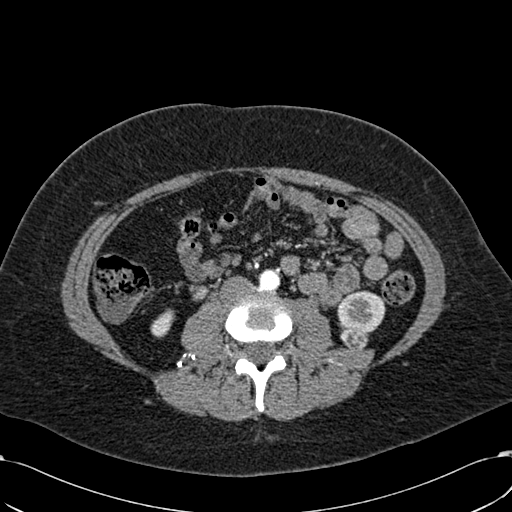
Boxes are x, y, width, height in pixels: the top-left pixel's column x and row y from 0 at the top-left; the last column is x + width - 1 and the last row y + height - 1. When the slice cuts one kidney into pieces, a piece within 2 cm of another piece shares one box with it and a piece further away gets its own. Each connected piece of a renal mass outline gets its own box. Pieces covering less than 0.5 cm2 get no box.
Arterial-phase contrast-enhanced abdominal CT, axial slice 268 of 532 (counted from the lowest slice); 1.00 mm thick, 0.713 mm per pixel. Boxed on this slice (two kidney boxes and one renal mass box), listed by box centre from the image's left to its right: (1) Right kidney, box x 150, y 308, width 25, height 30 (outlined area 457 px, about 2.3 cm2). (2) Left renal mass, box x 340, y 328, width 28, height 23 (outlined area 493 px, about 2.5 cm2). (3) Left kidney, box x 337, y 290, width 49, height 44 (outlined area 1,621 px, about 8.2 cm2).
Acquired at 120 kVp and reconstructed with the B30f kernel.